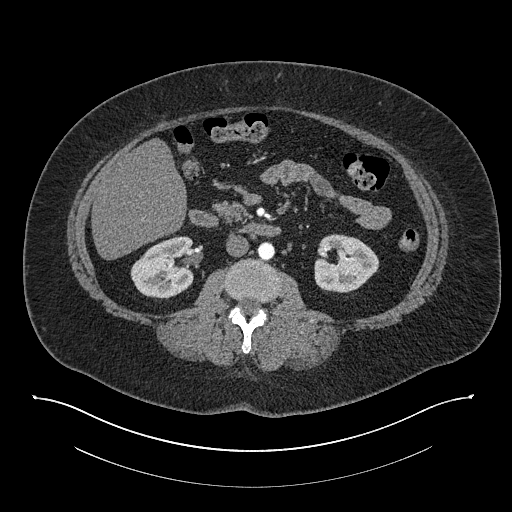
Abdominal CT with intravenous contrast, arterial phase, axial plane, 140 kVp, kernel I30f. Slice 428/673 from the bottom of the scan; thickness 1.00 mm; pixel size 0.957 mm.
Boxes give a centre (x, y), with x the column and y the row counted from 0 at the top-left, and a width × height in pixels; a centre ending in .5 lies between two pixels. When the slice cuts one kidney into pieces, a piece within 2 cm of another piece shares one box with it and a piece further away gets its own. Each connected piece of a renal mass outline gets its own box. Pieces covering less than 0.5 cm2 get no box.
Two kidney boxes on this slice; by box centre, from the image's left to its right: (1) Box centre (162, 267), 65 × 63 pixels: right kidney (outlined area 3,046 px, about 27.9 cm2). (2) Left kidney, box centre (346.5, 263), 66 × 59 pixels (outlined area 2,912 px, about 26.7 cm2). No renal mass is outlined on this slice.